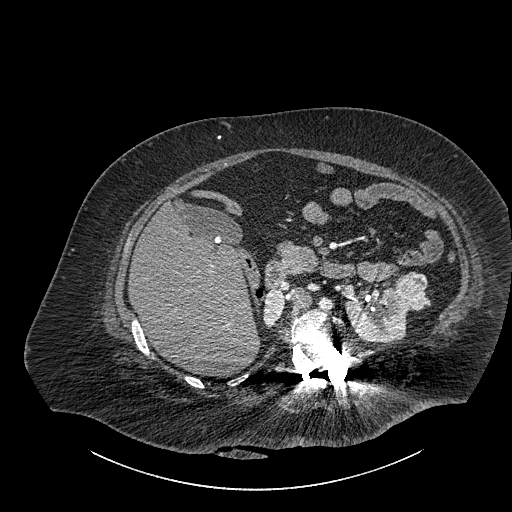
Contrast-enhanced abdominal CT, axial slice 559 of 834 (counted from the lowest slice); tube voltage 140 kVp, convolution kernel I30f; slices 1.00 mm thick, 0.977 mm per pixel.
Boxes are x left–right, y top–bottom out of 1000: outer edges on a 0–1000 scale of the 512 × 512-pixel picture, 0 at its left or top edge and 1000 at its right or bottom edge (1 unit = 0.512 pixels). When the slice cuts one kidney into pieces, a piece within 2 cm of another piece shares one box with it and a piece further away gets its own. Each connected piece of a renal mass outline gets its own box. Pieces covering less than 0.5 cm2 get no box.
Two kidney boxes and one renal mass box on this slice; by box centre, from the image's left to its right: (1) Right part of the midline-crossing kidney, box x 514–557, y 563–637 out of 1000 (outlined area 636 px, about 6.1 cm2). (2) Left part of the midline-crossing kidney, box x 672–799, y 561–672 out of 1000 (outlined area 2,558 px, about 24.4 cm2). (3) Renal mass, box x 771–838, y 529–607 out of 1000 (outlined area 1,063 px, about 10.1 cm2).